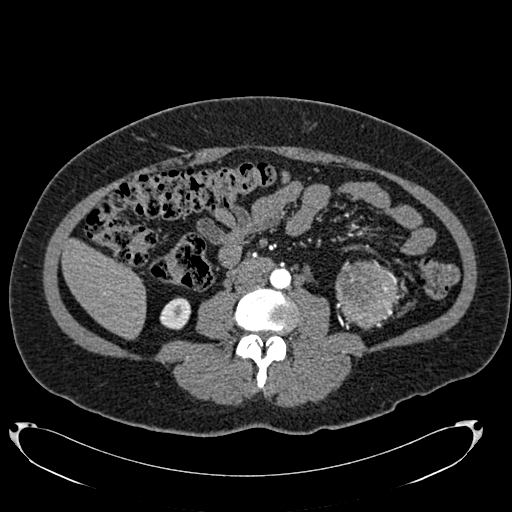
Axial slice 326 of 634 of a contrast-enhanced abdominal CT in the arterial phase (slice 1 is the lowest), 120 kVp, kernel B20f; 1.00 mm slice thickness and 0.838 mm pixels.
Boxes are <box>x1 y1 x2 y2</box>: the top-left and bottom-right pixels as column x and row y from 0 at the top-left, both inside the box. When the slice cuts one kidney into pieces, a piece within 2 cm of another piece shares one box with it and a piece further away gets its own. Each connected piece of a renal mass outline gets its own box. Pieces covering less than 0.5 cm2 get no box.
Boxed on this slice (one kidney box and one renal mass box), listed by box centre from the image's left to its right: (1) Right kidney at <box>159 297 191 329</box> (outlined area 778 px, about 5.5 cm2). (2) At <box>335 260 402 329</box>: left renal mass (outlined area 3,459 px, about 24.3 cm2); it sits over 1 cm from every kidney outline on this slice, but the same outlined renal mass comes within 1 cm of the kidney on another slice.